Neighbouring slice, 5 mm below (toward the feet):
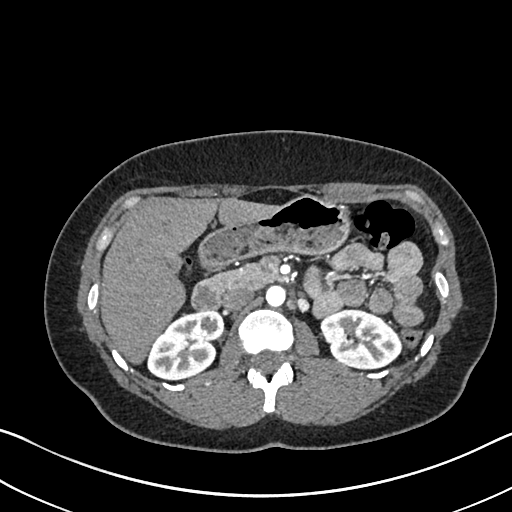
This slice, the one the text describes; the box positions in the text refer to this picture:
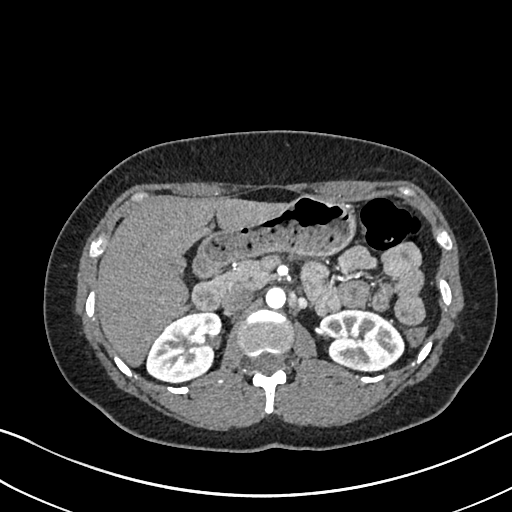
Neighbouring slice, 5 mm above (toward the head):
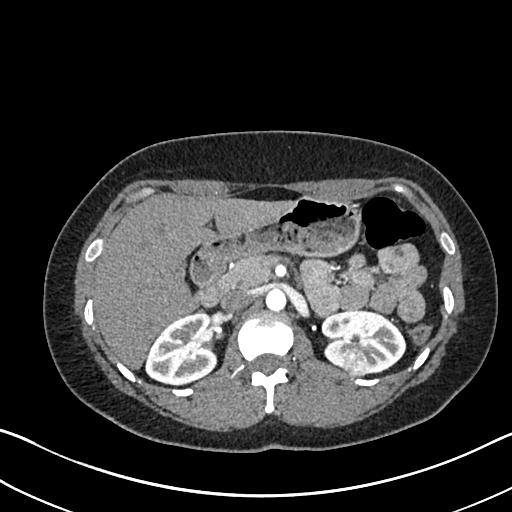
Abdominal CT with intravenous contrast, arterial phase, axial plane, 120 kVp, kernel I30f. Slice 435/612 from the bottom of the scan; thickness 1.00 mm; pixel size 0.703 mm.
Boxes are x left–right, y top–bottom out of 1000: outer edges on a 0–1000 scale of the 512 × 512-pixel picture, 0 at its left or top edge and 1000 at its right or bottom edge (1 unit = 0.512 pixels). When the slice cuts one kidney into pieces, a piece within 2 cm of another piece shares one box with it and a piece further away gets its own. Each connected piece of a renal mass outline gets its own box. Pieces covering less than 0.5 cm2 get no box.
Three boxes on this slice (two kidney boxes and one renal mass box), listed by box centre from the image's left to its right. (1) Right kidney, box x 285–436, y 607–750 out of 1000 (outlined area 4,000 px, about 19.8 cm2). (2) Box x 676–715, y 688–721 out of 1000: left renal mass (outlined area 263 px, about 1.3 cm2). (3) Left kidney, box x 619–791, y 602–727 out of 1000 (outlined area 3,839 px, about 19.0 cm2). This slice lies near the end of the left renal mass toward the feet; the slices 5 mm below and 5 mm above it are shown too, and the boxes mark positions on this slice only.